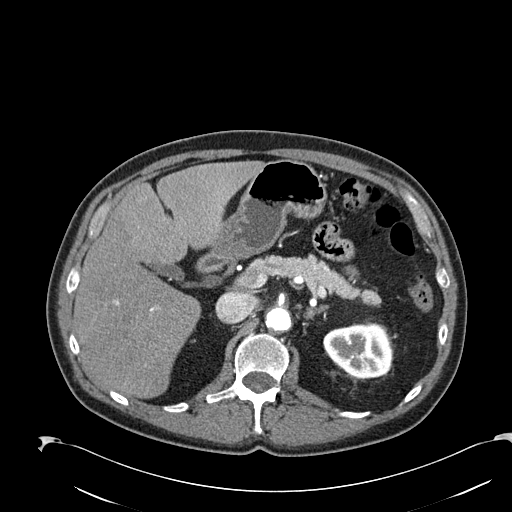
Abdominal CT with intravenous contrast, arterial phase, axial plane, 120 kVp, kernel B30f. Slice 153/274 from the bottom of the scan; thickness 2.00 mm; pixel size 0.809 mm.
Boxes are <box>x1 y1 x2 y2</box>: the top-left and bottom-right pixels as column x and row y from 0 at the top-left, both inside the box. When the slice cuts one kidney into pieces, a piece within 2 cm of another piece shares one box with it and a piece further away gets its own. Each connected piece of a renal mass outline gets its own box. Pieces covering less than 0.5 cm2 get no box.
Left kidney at <box>323 323 392 378</box> (outlined area 3,103 px, about 20.3 cm2). No renal mass outline on this slice.